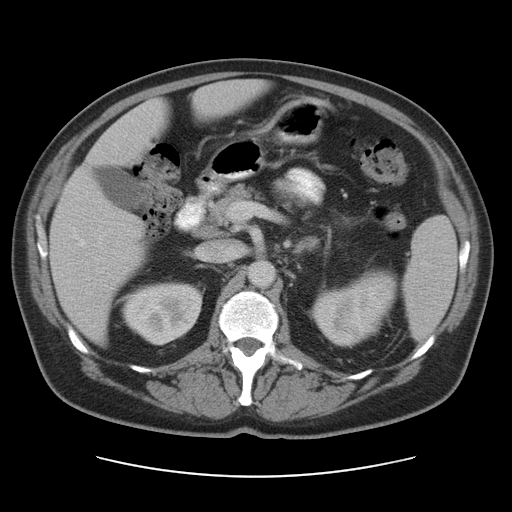
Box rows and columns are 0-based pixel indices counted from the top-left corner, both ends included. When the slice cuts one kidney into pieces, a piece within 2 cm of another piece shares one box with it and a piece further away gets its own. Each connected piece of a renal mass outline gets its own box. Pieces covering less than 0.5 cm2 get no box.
This is axial slice 67 of 95 (slice 1 is the lowest) of an abdominal CT with contrast; each pixel is 0.781 mm and the slice is 5.00 mm thick. Two boxes on this slice (two kidney boxes), listed by box centre from the image's left to its right. (1) Right kidney at rows 281–345, columns 121–202 (outlined area 3,997 px, about 24.4 cm2). (2) Left kidney at rows 268–348, columns 311–399 (outlined area 4,693 px, about 28.6 cm2). This slice carries no renal mass outline.
Tube voltage 120 kVp; convolution kernel STANDARD.